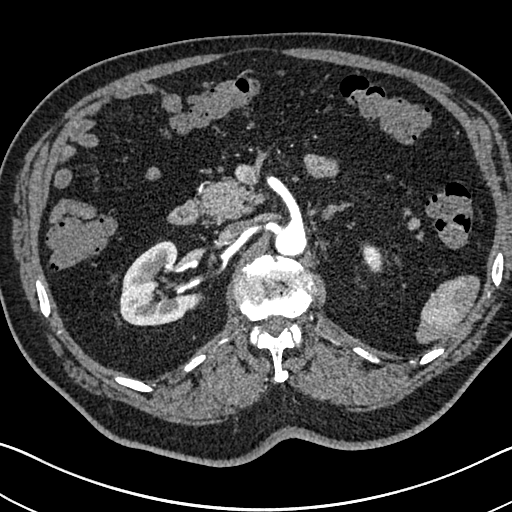
One axial slice (465 of 705, counting up from the lowest) of an arterial-phase abdominal CT acquired with 120 kVp, kernel I30f; each pixel is 0.703 mm and the slice is 1.00 mm thick.
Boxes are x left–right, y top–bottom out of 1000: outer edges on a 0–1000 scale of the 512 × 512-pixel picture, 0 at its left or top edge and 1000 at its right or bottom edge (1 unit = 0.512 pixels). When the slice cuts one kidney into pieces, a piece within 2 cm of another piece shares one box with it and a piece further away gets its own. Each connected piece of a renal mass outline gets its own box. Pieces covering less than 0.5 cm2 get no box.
Boxed on this slice (two kidney boxes), listed by box centre from the image's left to its right: (1) Right kidney at x 232–387, y 471–637 out of 1000 (outlined area 4,490 px, about 22.2 cm2). (2) Left kidney, box x 705–748, y 475–533 out of 1000 (outlined area 466 px, about 2.3 cm2). This slice carries no renal mass outline.